Arterial-phase contrast-enhanced abdominal CT, axial slice 437 of 626 (counted from the lowest slice); tube voltage 120 kVp, convolution kernel I30f; slices 1.00 mm thick, 0.703 mm per pixel.
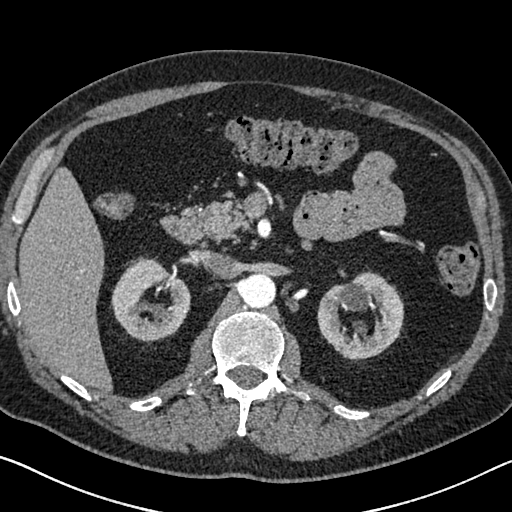
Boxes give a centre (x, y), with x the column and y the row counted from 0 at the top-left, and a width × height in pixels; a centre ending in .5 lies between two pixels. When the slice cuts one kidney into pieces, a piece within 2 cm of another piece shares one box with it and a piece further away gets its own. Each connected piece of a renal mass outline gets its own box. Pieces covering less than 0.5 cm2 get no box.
Two boxes on this slice (two kidney boxes), listed by box centre from the image's left to its right. (1) Right kidney, box centre (150.5, 300), 80 × 89 pixels (outlined area 4,621 px, about 22.8 cm2). (2) Left kidney in a box with centre (360, 316), 87 × 91 pixels (outlined area 5,177 px, about 25.6 cm2). No renal mass is outlined on this slice.